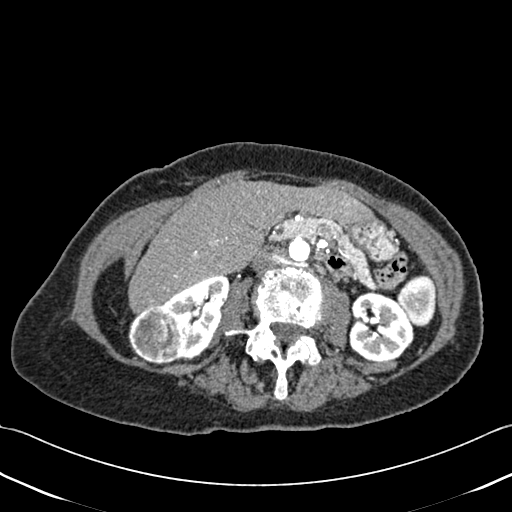
One axial slice (221 of 433, counting up from the lowest) of a contrast-enhanced abdominal CT acquired with 120 kVp, kernel B30f; each pixel is 0.672 mm and the slice is 1.00 mm thick.
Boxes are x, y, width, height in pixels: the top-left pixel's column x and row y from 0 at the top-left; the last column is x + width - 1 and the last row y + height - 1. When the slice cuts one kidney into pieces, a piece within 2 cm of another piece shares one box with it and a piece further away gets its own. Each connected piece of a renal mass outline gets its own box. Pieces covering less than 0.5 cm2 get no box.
Two kidney boxes and one renal mass box on this slice; by box centre, from the image's left to its right: (1) Right renal mass, box x 128, y 305, width 59, height 60 (outlined area 2,740 px, about 12.4 cm2). (2) Box x 160, y 275, width 70, height 86: right kidney (outlined area 3,074 px, about 13.9 cm2). (3) Left kidney at x 348, y 291, width 67, height 71 (outlined area 3,593 px, about 16.2 cm2).